Abdominal CT with intravenous contrast, axial plane, 120 kVp, kernel B41f. Slice 46/90 from the bottom of the scan; thickness 5.00 mm; pixel size 0.781 mm.
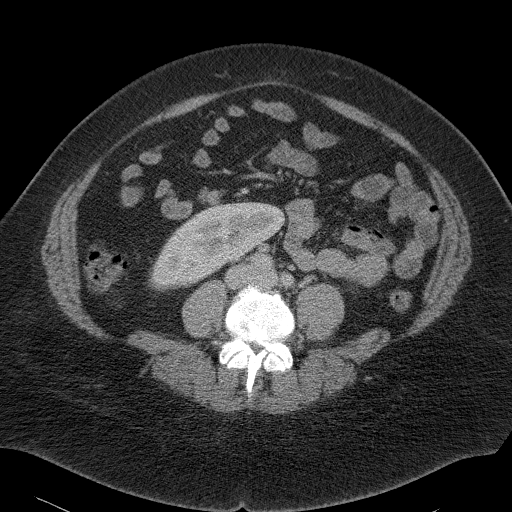
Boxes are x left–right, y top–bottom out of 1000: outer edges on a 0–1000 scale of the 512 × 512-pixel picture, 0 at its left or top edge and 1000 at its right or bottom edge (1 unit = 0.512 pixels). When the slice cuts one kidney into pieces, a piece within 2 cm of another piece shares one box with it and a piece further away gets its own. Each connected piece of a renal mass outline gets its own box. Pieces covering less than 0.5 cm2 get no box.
Right kidney at x 289–557, y 395–570 out of 1000 (outlined area 7,058 px, about 43.1 cm2). This slice carries no renal mass outline.